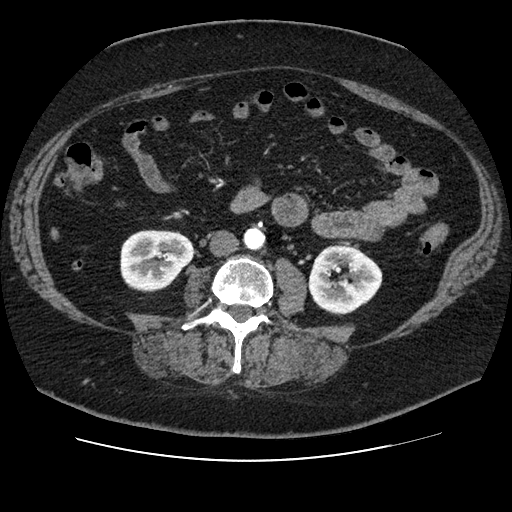
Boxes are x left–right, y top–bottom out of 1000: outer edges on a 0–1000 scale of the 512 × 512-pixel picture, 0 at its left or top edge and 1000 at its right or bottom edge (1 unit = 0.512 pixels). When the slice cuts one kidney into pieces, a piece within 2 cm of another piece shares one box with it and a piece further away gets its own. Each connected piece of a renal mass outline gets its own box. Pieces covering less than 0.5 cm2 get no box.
Slice 32/106 of a contrast-enhanced abdominal CT in the arterial phase, counting up from the lowest; pixel size 0.742 mm, slice thickness 2.50 mm. Two kidney boxes on this slice; by box centre, from the image's left to its right: (1) Right kidney, box x 234–381, y 447–572 out of 1000 (outlined area 3,659 px, about 20.2 cm2). (2) Left kidney at x 600–748, y 477–617 out of 1000 (outlined area 3,889 px, about 21.4 cm2). No renal mass is outlined on this slice.
Tube voltage 120 kVp; convolution kernel STANDARD.